One axial slice (53 of 84, counting up from the lowest) of a contrast-enhanced abdominal CT acquired with 140 kVp, kernel STANDARD; each pixel is 0.717 mm and the slice is 5.00 mm thick.
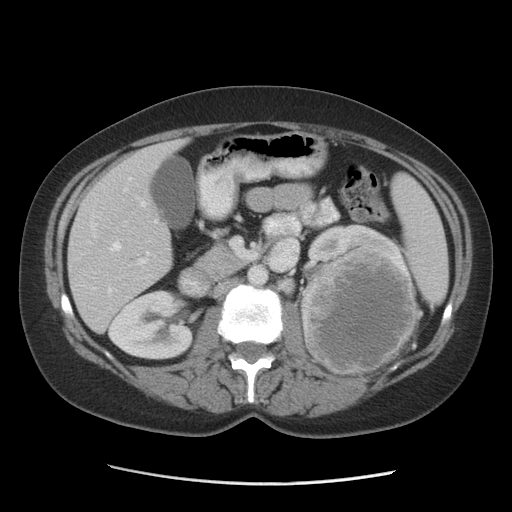
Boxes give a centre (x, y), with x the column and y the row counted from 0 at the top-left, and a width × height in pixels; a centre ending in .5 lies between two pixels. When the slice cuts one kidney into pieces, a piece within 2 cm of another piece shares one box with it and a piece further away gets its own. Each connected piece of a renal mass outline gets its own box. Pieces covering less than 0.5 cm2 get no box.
Three boxes on this slice (two kidney boxes and one renal mass box), listed by box centre from the image's left to its right. (1) Right kidney in a box with centre (149.5, 324.5), 86 × 72 pixels (outlined area 4,447 px, about 22.8 cm2). (2) Box centre (355, 243), 97 × 43 pixels: left kidney (outlined area 2,163 px, about 11.1 cm2). (3) Left renal mass, box centre (359, 310), 117 × 131 pixels (outlined area 12,340 px, about 63.4 cm2).